One axial slice (27 of 304, counting up from the lowest) of an arterial-phase abdominal CT acquired with 100 kVp, kernel I30f; each pixel is 0.809 mm and the slice is 2.00 mm thick.
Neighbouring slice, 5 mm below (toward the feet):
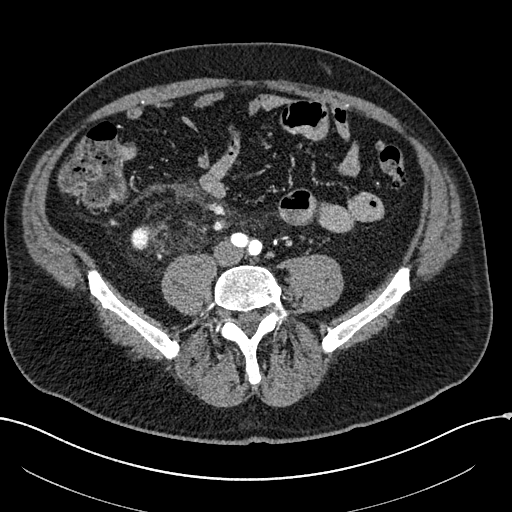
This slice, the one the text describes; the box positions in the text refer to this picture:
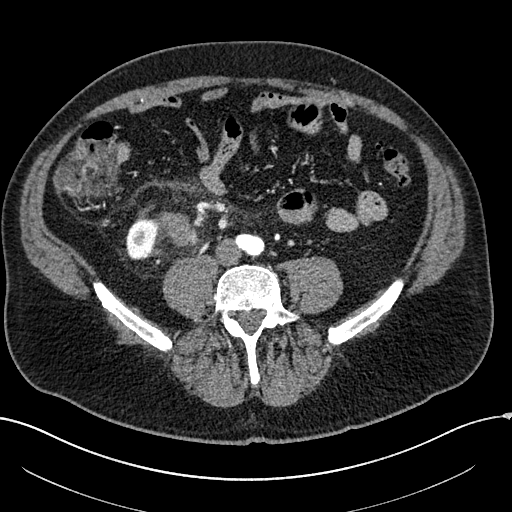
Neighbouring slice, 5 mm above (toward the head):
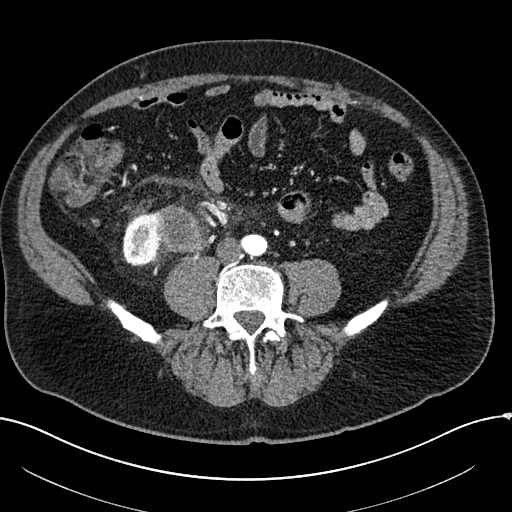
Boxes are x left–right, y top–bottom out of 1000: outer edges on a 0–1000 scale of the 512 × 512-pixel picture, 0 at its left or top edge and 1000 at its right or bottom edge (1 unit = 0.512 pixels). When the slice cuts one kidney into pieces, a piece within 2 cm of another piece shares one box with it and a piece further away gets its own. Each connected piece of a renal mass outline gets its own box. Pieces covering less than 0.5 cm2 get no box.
Two boxes on this slice (one kidney box and one renal mass box), listed by box centre from the image's left to its right. (1) Right kidney, box x 246–309, y 428–510 out of 1000 (outlined area 1,008 px, about 6.6 cm2). (2) Box x 307–389, y 412–480 out of 1000: right renal mass (outlined area 1,016 px, about 6.6 cm2). This slice lies near the end of the right renal mass toward the feet; the slices 5 mm below and 5 mm above it are shown too, and the boxes mark positions on this slice only.